Axial slice 243 of 541 of a contrast-enhanced abdominal CT in the arterial phase (slice 1 is the lowest), 120 kVp, kernel I30f; 1.00 mm slice thickness and 0.834 mm pixels.
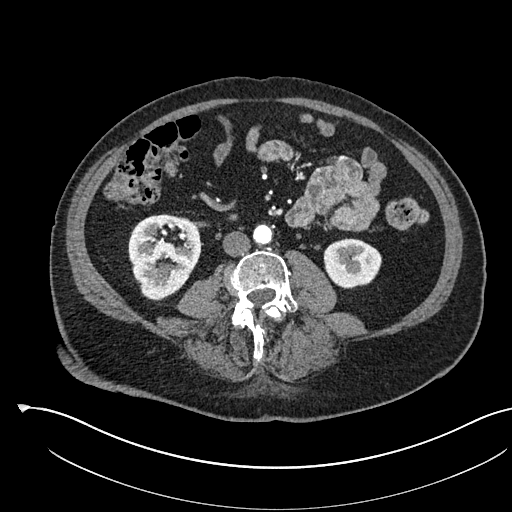
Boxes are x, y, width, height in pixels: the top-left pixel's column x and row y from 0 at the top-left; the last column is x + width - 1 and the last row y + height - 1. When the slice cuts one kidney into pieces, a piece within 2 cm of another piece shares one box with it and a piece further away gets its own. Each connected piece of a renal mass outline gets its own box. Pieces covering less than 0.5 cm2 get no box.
Two boxes on this slice (two kidney boxes), listed by box centre from the image's left to its right. (1) Right kidney at x 128, y 214, width 73, height 87 (outlined area 4,745 px, about 33.0 cm2). (2) Box x 323, y 238, width 59, height 51: left kidney (outlined area 2,323 px, about 16.2 cm2). No renal mass outline on this slice.